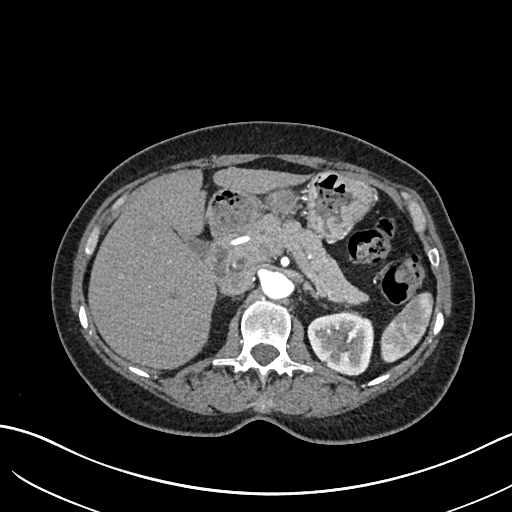
Arterial-phase contrast-enhanced abdominal CT, axial slice 435 of 683 (counted from the lowest slice); tube voltage 120 kVp, convolution kernel I30f; slices 1.00 mm thick, 0.738 mm per pixel.
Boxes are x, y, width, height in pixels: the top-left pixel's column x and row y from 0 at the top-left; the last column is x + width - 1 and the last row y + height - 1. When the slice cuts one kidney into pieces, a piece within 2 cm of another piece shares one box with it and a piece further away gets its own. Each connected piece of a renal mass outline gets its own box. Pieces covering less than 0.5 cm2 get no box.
Box x 307, y 311, width 67, height 65: left kidney (outlined area 3,295 px, about 18.0 cm2). No renal mass outline on this slice.